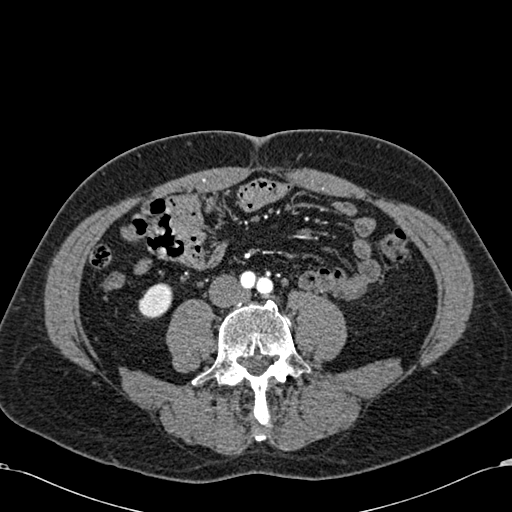
One axial slice (203 of 581, counting up from the lowest) of an arterial-phase abdominal CT acquired with 120 kVp, kernel B30f; each pixel is 0.713 mm and the slice is 1.00 mm thick.
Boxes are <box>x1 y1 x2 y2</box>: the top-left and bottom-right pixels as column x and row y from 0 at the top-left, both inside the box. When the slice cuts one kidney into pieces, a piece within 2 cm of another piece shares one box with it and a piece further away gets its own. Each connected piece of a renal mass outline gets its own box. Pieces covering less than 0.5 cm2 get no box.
At <box>138 283 172 318</box>: right kidney (outlined area 941 px, about 4.8 cm2). This slice carries no renal mass outline.